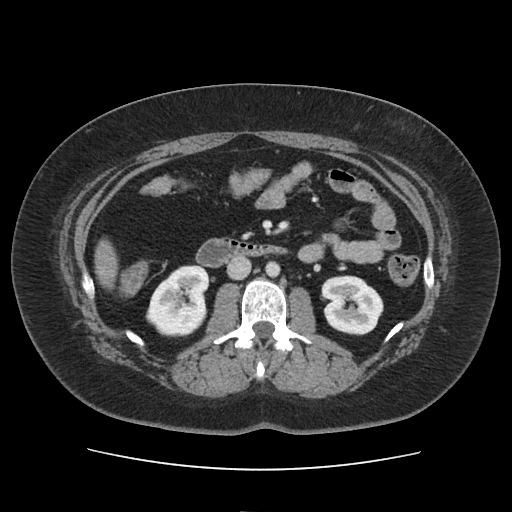
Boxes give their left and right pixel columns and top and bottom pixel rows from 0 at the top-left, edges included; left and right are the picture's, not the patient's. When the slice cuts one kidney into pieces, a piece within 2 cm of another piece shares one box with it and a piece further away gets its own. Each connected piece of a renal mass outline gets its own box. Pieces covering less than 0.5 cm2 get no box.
This is axial slice 64 of 103 (slice 1 is the lowest) of an arterial-phase abdominal CT with contrast; each pixel is 0.873 mm and the slice is 5.00 mm thick. Two kidney boxes on this slice; by box centre, from the image's left to its right: (1) Right kidney, the box with left 145, top 265, right 209, bottom 337 (outlined area 3,476 px, about 26.5 cm2). (2) Left kidney in the box with left 320, top 275, right 383, bottom 335 (outlined area 2,973 px, about 22.7 cm2). This slice carries no renal mass outline.
Tube voltage 120 kVp; convolution kernel FC19.